One axial slice (552 of 612, counting up from the lowest) of an arterial-phase abdominal CT acquired with 120 kVp, kernel I30f; each pixel is 0.703 mm and the slice is 1.00 mm thick.
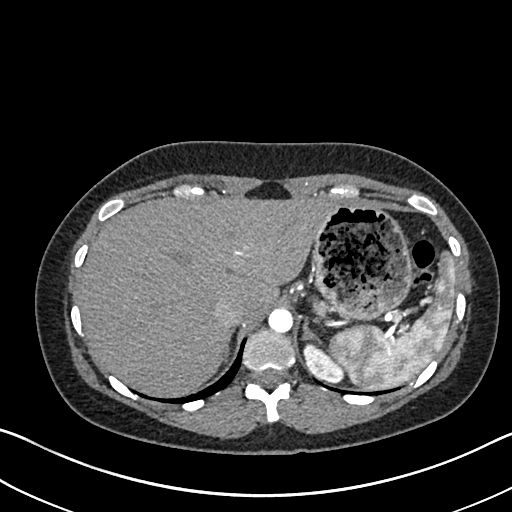
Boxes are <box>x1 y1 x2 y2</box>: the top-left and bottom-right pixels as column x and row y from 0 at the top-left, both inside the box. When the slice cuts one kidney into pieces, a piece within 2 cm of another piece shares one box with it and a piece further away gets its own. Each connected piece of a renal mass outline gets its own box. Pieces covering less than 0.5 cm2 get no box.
Left kidney: <box>303 343 344 382</box> (outlined area 1,003 px, about 5.0 cm2). This slice carries no renal mass outline.